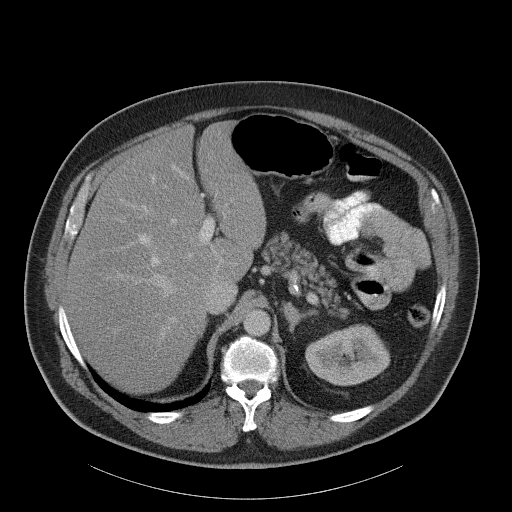
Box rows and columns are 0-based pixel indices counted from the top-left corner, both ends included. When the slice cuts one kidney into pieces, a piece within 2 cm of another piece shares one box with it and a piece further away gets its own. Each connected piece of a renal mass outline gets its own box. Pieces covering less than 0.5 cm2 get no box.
This is axial slice 79 of 107 (slice 1 is the lowest) of an abdominal CT with contrast; each pixel is 0.941 mm and the slice is 5.00 mm thick. Left kidney, box rows 324–385, columns 305–390 (outlined area 3,864 px, about 34.2 cm2). No renal mass outline on this slice.
Scan settings: 120 kVp, B31f reconstruction kernel.